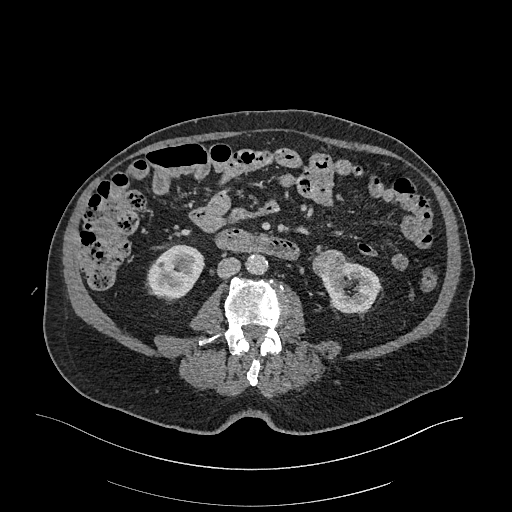
Arterial-phase contrast-enhanced abdominal CT, axial slice 100 of 470 (counted from the lowest slice); tube voltage 120 kVp, convolution kernel I26f; slices 1.00 mm thick, 0.938 mm per pixel.
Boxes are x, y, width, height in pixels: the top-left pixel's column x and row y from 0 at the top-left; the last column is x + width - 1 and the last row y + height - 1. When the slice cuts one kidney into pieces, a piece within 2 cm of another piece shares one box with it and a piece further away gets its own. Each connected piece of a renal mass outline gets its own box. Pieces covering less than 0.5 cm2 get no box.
Three boxes on this slice (two kidney boxes and one renal mass box), listed by box centre from the image's left to its right. (1) Box x 146, y 244, width 59, height 57: right kidney (outlined area 2,376 px, about 20.9 cm2). (2) Box x 312, y 249, width 34, height 33: left renal mass (outlined area 862 px, about 7.6 cm2). (3) Box x 321, y 259, width 58, height 55: left kidney (outlined area 1,982 px, about 17.4 cm2).